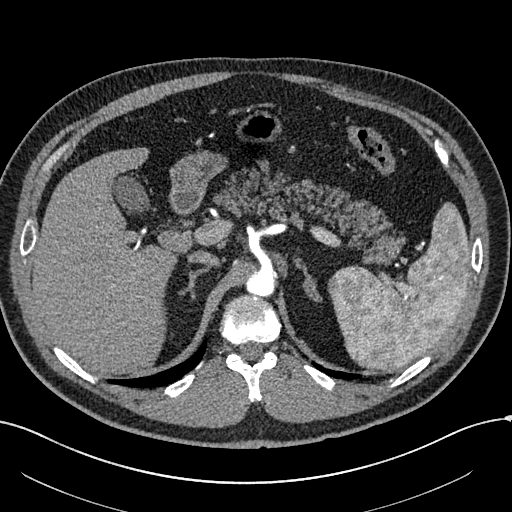
Arterial-phase contrast-enhanced abdominal CT, axial slice 482 of 602 (counted from the lowest slice); 1.00 mm thick, 0.799 mm per pixel. Outside the outlined region: no kidney outline and no renal mass outline on this slice. The scan's outlines cover only kidneys and renal masses; no other organ is outlined.
Acquired at 120 kVp and reconstructed with the I30f kernel.